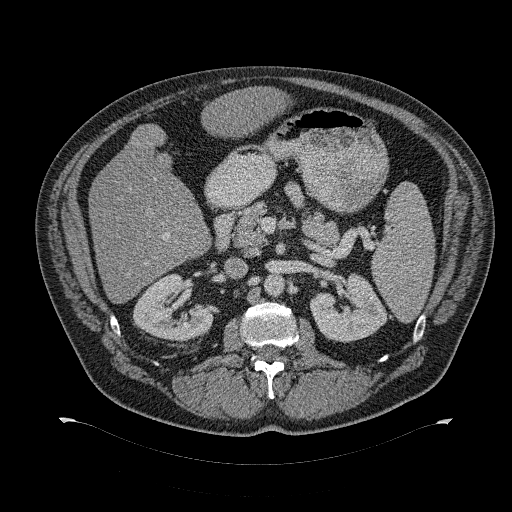
One axial slice (194 of 274, counting up from the lowest) of a contrast-enhanced abdominal CT acquired with 120 kVp, kernel B31f; each pixel is 0.977 mm and the slice is 2.00 mm thick.
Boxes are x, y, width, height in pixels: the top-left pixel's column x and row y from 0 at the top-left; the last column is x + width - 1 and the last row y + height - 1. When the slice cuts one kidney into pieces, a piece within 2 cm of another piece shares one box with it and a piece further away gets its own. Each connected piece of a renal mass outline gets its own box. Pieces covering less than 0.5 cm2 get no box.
Boxed on this slice (two kidney boxes), listed by box centre from the image's left to its right: (1) Box x 132, y 273, width 82, height 69: right kidney (outlined area 3,660 px, about 34.9 cm2). (2) Left kidney at x 309, y 273, width 79, height 70 (outlined area 3,609 px, about 34.4 cm2). No renal mass outline on this slice.